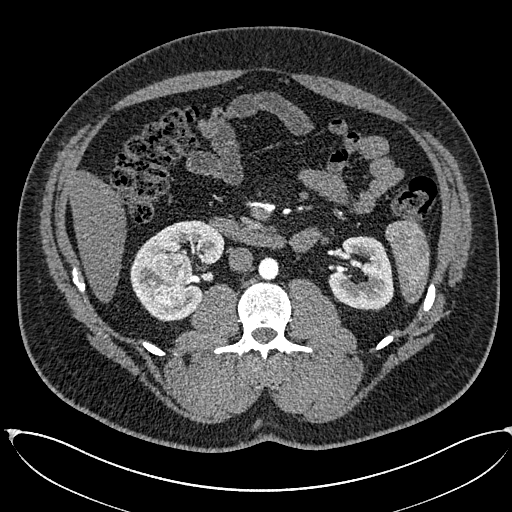
One axial slice (324 of 673, counting up from the lowest) of an arterial-phase abdominal CT acquired with 120 kVp, kernel I30f; each pixel is 0.855 mm and the slice is 1.00 mm thick.
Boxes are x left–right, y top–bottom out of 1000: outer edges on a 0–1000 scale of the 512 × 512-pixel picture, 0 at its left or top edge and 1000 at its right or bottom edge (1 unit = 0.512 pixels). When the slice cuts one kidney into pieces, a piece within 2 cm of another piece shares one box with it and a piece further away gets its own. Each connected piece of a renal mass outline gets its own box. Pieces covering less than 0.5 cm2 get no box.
Boxed on this slice (two kidney boxes and one renal mass box), listed by box centre from the image's left to its right: (1) Box x 293–379, y 492–602 out of 1000: right renal mass (outlined area 1,893 px, about 13.9 cm2). (2) Right kidney at x 254–439, y 430–627 out of 1000 (outlined area 4,743 px, about 34.7 cm2). (3) Box x 641–771, y 461–607 out of 1000: left kidney (outlined area 3,613 px, about 26.4 cm2).